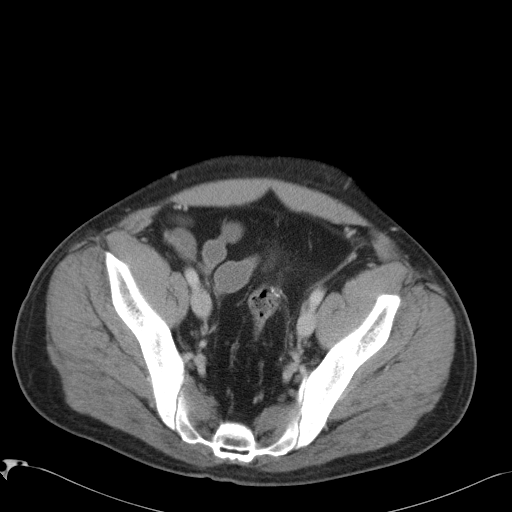
Abdominal CT with intravenous contrast, arterial phase, axial plane, 120 kVp, kernel B41f. Slice 21/88 from the bottom of the scan; thickness 5.00 mm; pixel size 0.723 mm.
This slice carries no outline: it lies beyond the outlined kidneys and beyond every outlined renal mass. Other organs are not outlined in this scan.